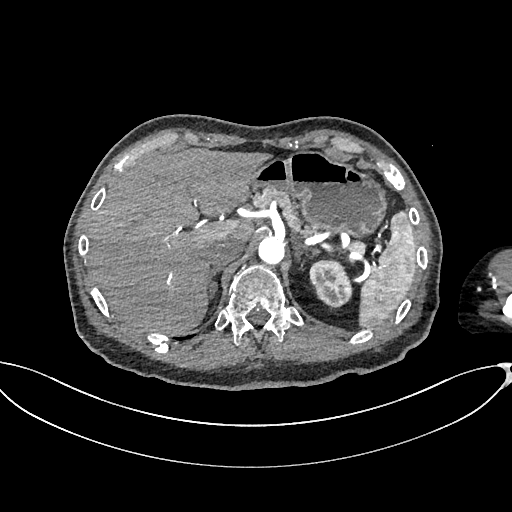
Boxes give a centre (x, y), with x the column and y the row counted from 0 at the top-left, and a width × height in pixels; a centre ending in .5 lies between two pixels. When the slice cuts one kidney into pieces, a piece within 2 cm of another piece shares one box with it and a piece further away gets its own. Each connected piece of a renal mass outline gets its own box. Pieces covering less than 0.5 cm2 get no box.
Slice 503/665 of a contrast-enhanced abdominal CT in the arterial phase, counting up from the lowest; pixel size 0.828 mm, slice thickness 1.00 mm. Left kidney in a box with centre (330.5, 283.5), 44 × 52 pixels (outlined area 1,639 px, about 11.2 cm2). No renal mass is outlined on this slice.
Tube voltage 100 kVp; convolution kernel I26f.